One axial slice (328 of 527, counting up from the lowest) of an arterial-phase abdominal CT acquired with 120 kVp, kernel I30f; each pixel is 0.859 mm and the slice is 1.00 mm thick.
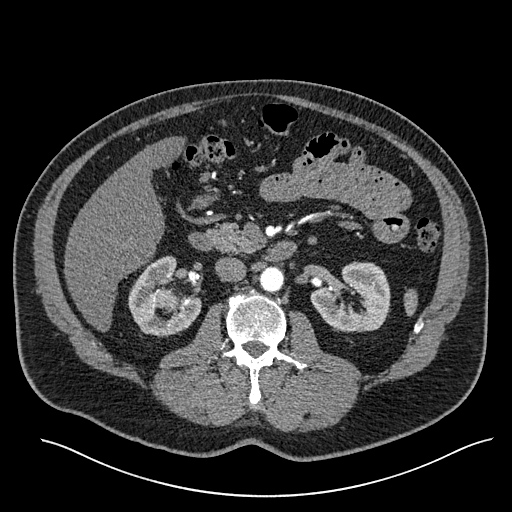
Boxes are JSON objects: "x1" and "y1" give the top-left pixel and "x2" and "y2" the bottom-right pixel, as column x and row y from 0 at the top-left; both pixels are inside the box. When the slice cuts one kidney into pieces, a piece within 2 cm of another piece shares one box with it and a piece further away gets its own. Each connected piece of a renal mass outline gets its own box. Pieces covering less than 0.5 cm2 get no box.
Two kidney boxes and one renal mass box on this slice; by box centre, from the image's left to its right: (1) Right kidney at {"x1": 128, "y1": 255, "x2": 201, "y2": 337} (outlined area 3,530 px, about 26.1 cm2). (2) Right renal mass, box {"x1": 155, "y1": 288, "x2": 177, "y2": 312} (outlined area 433 px, about 3.2 cm2). (3) Left kidney, box {"x1": 310, "y1": 261, "x2": 390, "y2": 332} (outlined area 4,081 px, about 30.1 cm2).